Axial slice 433 of 673 of a contrast-enhanced abdominal CT in the arterial phase (slice 1 is the lowest), 120 kVp, kernel I30f; 1.00 mm slice thickness and 0.855 mm pixels.
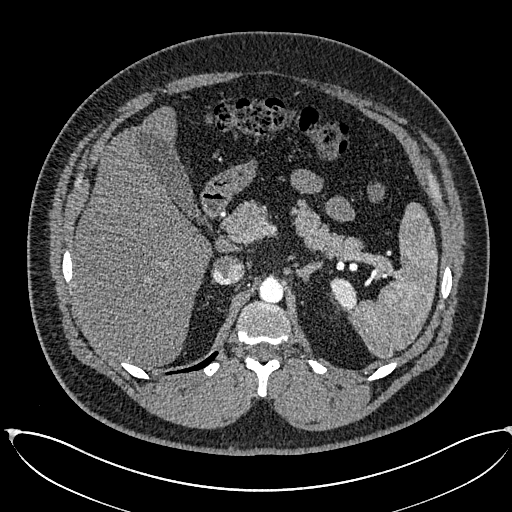
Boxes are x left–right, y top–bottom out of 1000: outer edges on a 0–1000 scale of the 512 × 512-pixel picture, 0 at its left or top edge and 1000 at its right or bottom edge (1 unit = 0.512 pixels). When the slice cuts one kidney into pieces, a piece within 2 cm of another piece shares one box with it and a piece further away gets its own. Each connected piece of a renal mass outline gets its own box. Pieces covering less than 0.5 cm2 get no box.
Left kidney at x 645–697, y 541–607 out of 1000 (outlined area 632 px, about 4.6 cm2). No renal mass is outlined on this slice.